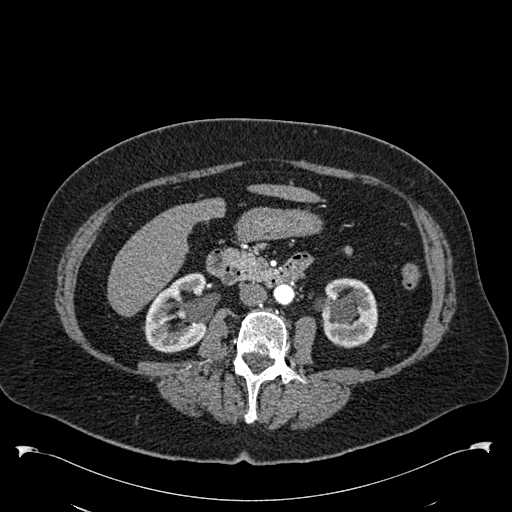
Arterial-phase contrast-enhanced abdominal CT, axial slice 287 of 538 (counted from the lowest slice); tube voltage 120 kVp, convolution kernel B30f; slices 1.00 mm thick, 0.811 mm per pixel.
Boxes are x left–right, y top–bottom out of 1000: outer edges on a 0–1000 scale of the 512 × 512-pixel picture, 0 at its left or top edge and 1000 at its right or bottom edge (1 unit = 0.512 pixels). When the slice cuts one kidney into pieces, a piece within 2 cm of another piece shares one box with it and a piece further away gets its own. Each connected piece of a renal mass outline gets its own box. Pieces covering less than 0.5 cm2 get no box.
Two boxes on this slice (two kidney boxes), listed by box centre from the image's left to its right. (1) Right kidney at x 279–404, y 531–691 out of 1000 (outlined area 3,678 px, about 24.2 cm2). (2) Box x 621–738, y 543–682 out of 1000: left kidney (outlined area 3,291 px, about 21.6 cm2). No renal mass is outlined on this slice.